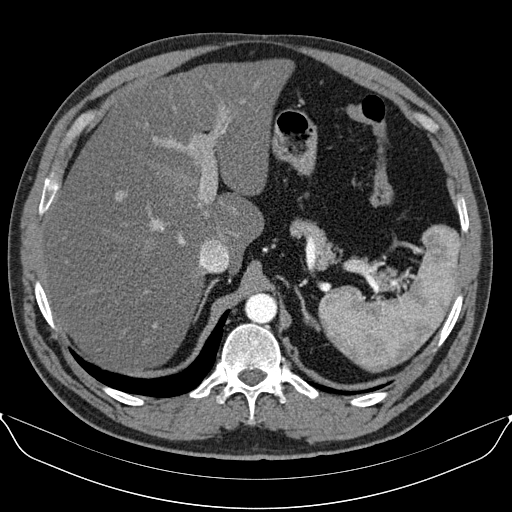
This is axial slice 82 of 96 (slice 1 is the lowest) of an arterial-phase abdominal CT with contrast; each pixel is 0.781 mm and the slice is 3.00 mm thick. This slice carries no outline: it lies beyond the outlined kidneys and beyond every outlined renal mass. Other organs are not outlined in this scan.
Acquired at 130 kVp and reconstructed with the B30s kernel.